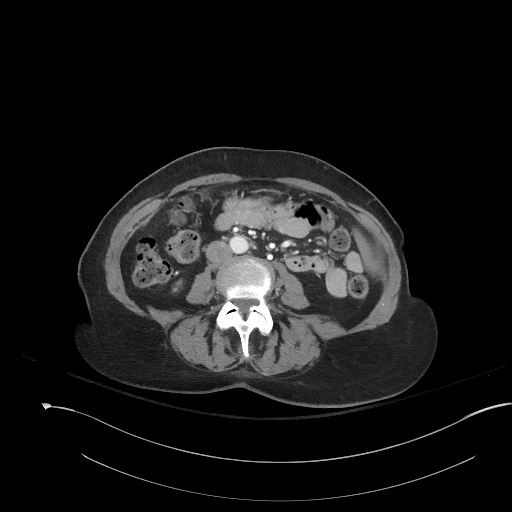
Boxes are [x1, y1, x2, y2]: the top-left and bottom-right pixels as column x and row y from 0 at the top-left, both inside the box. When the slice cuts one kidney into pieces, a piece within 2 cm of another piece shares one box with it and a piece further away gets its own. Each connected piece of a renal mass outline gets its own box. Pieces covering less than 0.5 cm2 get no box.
Contrast-enhanced abdominal CT, axial slice 81 of 153 (counted from the lowest slice); 3.00 mm thick, 0.893 mm per pixel. Box [172, 279, 182, 292]: right kidney (outlined area 87 px, about 0.7 cm2). This slice carries no renal mass outline.
Tube voltage 120 kVp; convolution kernel I41f.